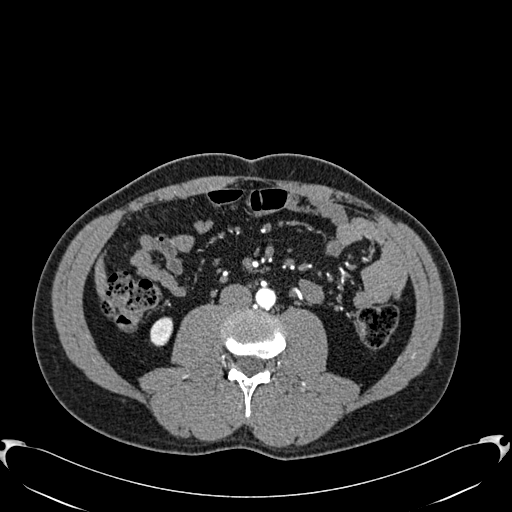
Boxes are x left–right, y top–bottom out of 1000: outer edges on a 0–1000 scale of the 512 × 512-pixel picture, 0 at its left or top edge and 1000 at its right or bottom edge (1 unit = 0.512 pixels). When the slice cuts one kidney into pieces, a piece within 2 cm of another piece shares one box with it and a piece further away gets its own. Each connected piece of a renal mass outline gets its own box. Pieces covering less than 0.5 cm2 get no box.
Slice 262/512 of a contrast-enhanced abdominal CT in the arterial phase, counting up from the lowest; pixel size 0.771 mm, slice thickness 1.00 mm. Box x 293–340, y 617–678 out of 1000: right kidney (outlined area 546 px, about 3.2 cm2). No renal mass is outlined on this slice.
Acquired at 120 kVp and reconstructed with the B30f kernel.